Abdominal CT with intravenous contrast, axial plane, 140 kVp, kernel I44f. Slice 31/86 from the bottom of the scan; thickness 3.00 mm; pixel size 0.977 mm.
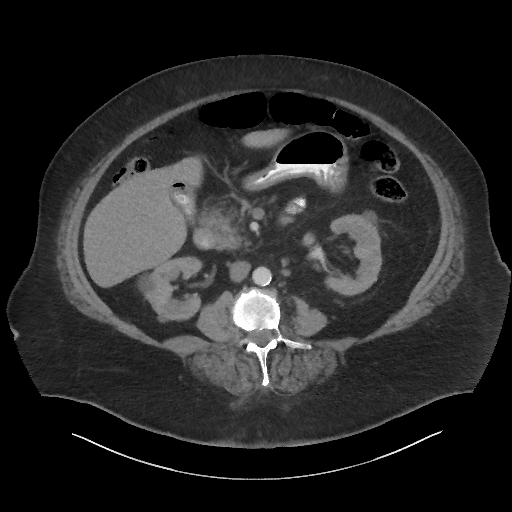
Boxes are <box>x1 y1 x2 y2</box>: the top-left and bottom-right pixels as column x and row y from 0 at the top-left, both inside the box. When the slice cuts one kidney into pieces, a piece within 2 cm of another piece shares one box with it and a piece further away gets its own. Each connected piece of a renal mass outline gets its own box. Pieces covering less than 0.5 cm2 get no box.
Two boxes on this slice (two kidney boxes), listed by box centre from the image's left to its right. (1) Right kidney: <box>139 257 202 322</box> (outlined area 2,773 px, about 26.4 cm2). (2) Left kidney: <box>324 211 382 295</box> (outlined area 3,194 px, about 30.5 cm2). This slice carries no renal mass outline.